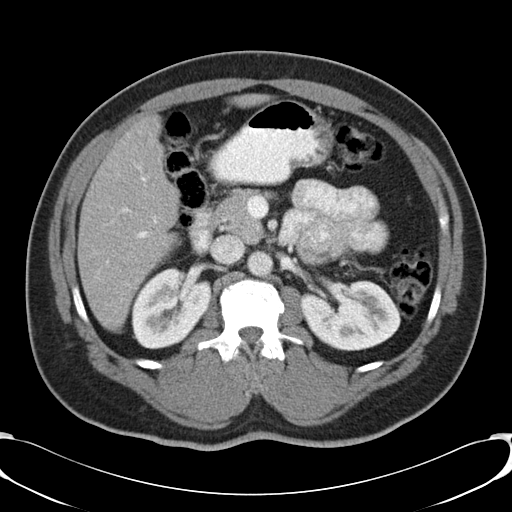
One axial slice (22 of 48, counting up from the lowest) of a contrast-enhanced abdominal CT acquired with 120 kVp, kernel B30f; each pixel is 0.736 mm and the slice is 5.00 mm thick.
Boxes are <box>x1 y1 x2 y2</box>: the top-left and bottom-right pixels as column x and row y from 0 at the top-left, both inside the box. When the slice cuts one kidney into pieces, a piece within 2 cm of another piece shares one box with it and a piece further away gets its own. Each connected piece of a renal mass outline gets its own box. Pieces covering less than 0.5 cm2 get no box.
Boxed on this slice (two kidney boxes), listed by box centre from the image's left to its right: (1) At <box>131 266 212 349</box>: right kidney (outlined area 4,942 px, about 26.8 cm2). (2) Left kidney at <box>300 280 400 351</box> (outlined area 5,413 px, about 29.3 cm2). No renal mass outline on this slice.